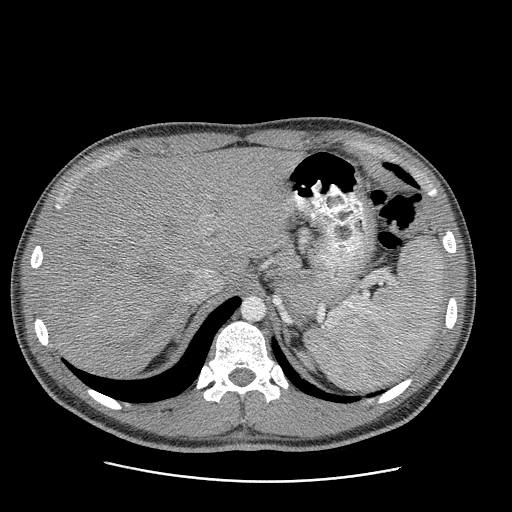
Axial slice 174 of 199 of a contrast-enhanced abdominal CT in the arterial phase (slice 1 is the lowest), 120 kVp, kernel STANDARD; 2.50 mm slice thickness and 0.789 mm pixels.
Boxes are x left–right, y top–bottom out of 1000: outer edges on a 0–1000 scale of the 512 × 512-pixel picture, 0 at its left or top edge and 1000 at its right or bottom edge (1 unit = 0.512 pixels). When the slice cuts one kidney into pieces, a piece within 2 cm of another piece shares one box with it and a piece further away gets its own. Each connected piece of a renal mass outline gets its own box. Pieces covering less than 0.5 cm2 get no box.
Box x 572–625, y 680–734 out of 1000: left kidney (outlined area 313 px, about 1.9 cm2). No renal mass outline on this slice.